Arterial-phase contrast-enhanced abdominal CT, axial slice 261 of 541 (counted from the lowest slice); tube voltage 120 kVp, convolution kernel I30f; slices 1.00 mm thick, 0.834 mm per pixel.
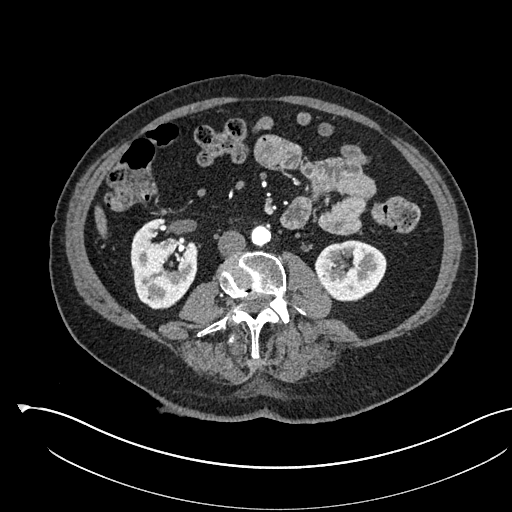
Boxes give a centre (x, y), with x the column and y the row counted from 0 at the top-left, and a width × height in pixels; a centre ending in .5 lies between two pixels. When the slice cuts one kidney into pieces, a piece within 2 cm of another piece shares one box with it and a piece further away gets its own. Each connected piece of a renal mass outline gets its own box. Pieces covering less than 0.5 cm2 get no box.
Two kidney boxes on this slice; by box centre, from the image's left to its right: (1) Right kidney, box centre (164, 263.5), 69 × 92 pixels (outlined area 4,561 px, about 31.7 cm2). (2) Left kidney, box centre (350, 270.5), 73 × 62 pixels (outlined area 3,405 px, about 23.7 cm2). No renal mass outline on this slice.